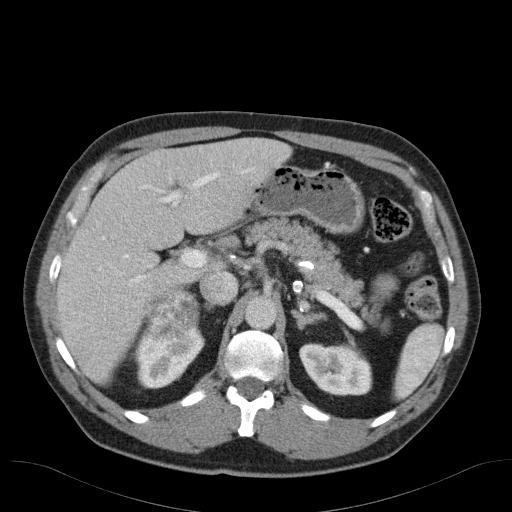
One axial slice (76 of 98, counting up from the lowest) of an arterial-phase abdominal CT acquired with 120 kVp, kernel B31f; each pixel is 0.764 mm and the slice is 5.00 mm thick.
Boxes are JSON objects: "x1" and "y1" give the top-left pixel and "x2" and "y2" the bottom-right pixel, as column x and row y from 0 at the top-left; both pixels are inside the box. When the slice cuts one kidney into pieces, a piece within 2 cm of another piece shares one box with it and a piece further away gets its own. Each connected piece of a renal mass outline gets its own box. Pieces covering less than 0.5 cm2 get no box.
Two kidney boxes and one renal mass box on this slice; by box centre, from the image's left to its right: (1) Right kidney, box {"x1": 133, "y1": 326, "x2": 204, "y2": 389} (outlined area 2,929 px, about 17.1 cm2). (2) Right renal mass, box {"x1": 144, "y1": 286, "x2": 199, "y2": 339} (outlined area 2,313 px, about 13.5 cm2). (3) Left kidney at {"x1": 299, "y1": 343, "x2": 372, "y2": 395} (outlined area 3,099 px, about 18.1 cm2).